Abdominal CT with intravenous contrast, arterial phase, axial plane, 120 kVp, kernel I30f. Slice 275/541 from the bottom of the scan; thickness 1.00 mm; pixel size 0.834 mm.
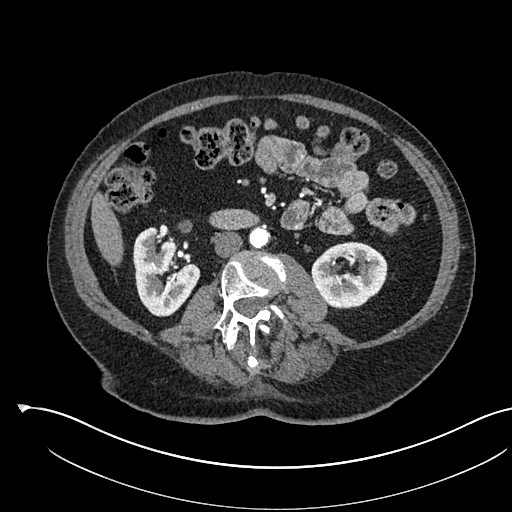
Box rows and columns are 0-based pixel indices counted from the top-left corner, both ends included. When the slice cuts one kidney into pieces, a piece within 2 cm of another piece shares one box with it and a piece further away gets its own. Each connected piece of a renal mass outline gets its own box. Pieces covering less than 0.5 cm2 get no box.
Boxed on this slice (two kidney boxes), listed by box centre from the image's left to its right: (1) Right kidney, box rows 227–316, columns 133–200 (outlined area 4,098 px, about 28.5 cm2). (2) Box rows 241–307, columns 311–387: left kidney (outlined area 3,770 px, about 26.2 cm2). No renal mass is outlined on this slice.